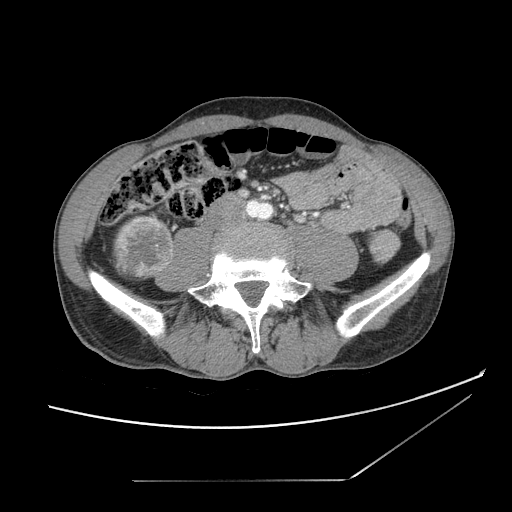
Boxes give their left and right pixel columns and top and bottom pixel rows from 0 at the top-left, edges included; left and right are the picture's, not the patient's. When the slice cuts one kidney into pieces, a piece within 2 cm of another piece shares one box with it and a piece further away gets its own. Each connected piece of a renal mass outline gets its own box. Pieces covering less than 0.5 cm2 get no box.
Slice 33/121 of a contrast-enhanced abdominal CT, counting up from the lowest; pixel size 0.742 mm, slice thickness 2.50 mm. Right renal mass in the box with left 110, top 212, right 172, bottom 279 (outlined area 3,249 px, about 17.9 cm2); no kidney is outlined on this slice, but the same outlined renal mass comes within 1 cm of the kidney on another slice.
Scan settings: 120 kVp, STANDARD reconstruction kernel.